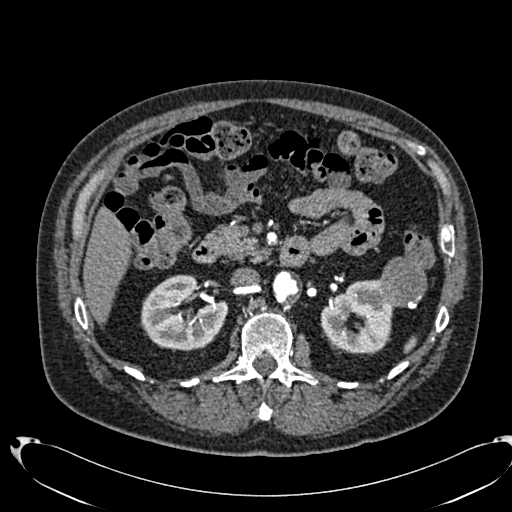
One axial slice (435 of 553, counting up from the lowest) of an arterial-phase abdominal CT acquired with 120 kVp, kernel B20f; each pixel is 0.773 mm and the slice is 1.00 mm thick.
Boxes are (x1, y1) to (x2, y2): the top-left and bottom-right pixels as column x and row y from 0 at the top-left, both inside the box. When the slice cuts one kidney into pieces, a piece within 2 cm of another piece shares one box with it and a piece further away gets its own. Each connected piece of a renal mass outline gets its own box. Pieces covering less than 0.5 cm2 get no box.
Three boxes on this slice (two kidney boxes and one renal mass box), listed by box centre from the image's left to its right. (1) Right kidney, box (140, 275) to (228, 351) (outlined area 4,789 px, about 28.6 cm2). (2) Left kidney, box (320, 279) to (393, 354) (outlined area 3,807 px, about 22.8 cm2). (3) Box (378, 257) to (427, 308): left renal mass (outlined area 1,990 px, about 11.9 cm2).